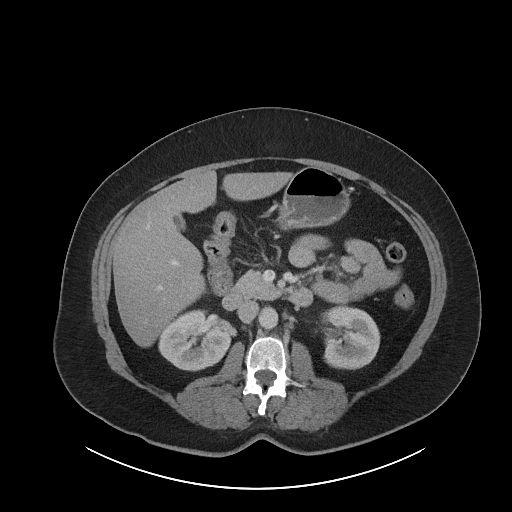
Axial slice 54 of 86 of a contrast-enhanced abdominal CT in the arterial phase (slice 1 is the lowest), 120 kVp, kernel I40f; 5.00 mm slice thickness and 0.977 mm pixels.
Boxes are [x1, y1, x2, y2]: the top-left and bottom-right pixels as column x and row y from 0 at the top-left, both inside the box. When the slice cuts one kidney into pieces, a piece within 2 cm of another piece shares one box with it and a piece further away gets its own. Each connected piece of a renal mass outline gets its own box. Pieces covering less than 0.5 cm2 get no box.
Two kidney boxes on this slice; by box centre, from the image's left to its right: (1) Box [158, 310, 231, 371]: right kidney (outlined area 3,239 px, about 30.9 cm2). (2) Box [324, 305, 380, 369]: left kidney (outlined area 3,058 px, about 29.2 cm2). No renal mass outline on this slice.